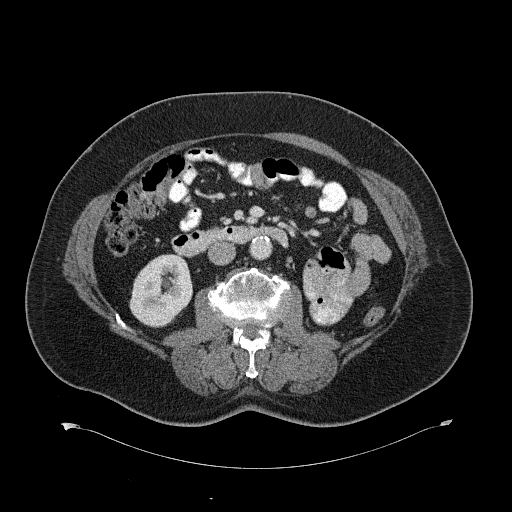
Abdominal CT with intravenous contrast, axial plane, 120 kVp, kernel B31f. Slice 340/734 from the bottom of the scan; thickness 2.00 mm; pixel size 0.971 mm.
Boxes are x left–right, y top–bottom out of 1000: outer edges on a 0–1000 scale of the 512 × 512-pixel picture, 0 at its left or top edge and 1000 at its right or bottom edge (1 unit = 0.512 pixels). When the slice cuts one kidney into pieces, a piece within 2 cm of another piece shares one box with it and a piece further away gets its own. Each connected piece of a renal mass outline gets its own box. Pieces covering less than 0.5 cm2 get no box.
Right kidney, box x 252–377, y 496–639 out of 1000 (outlined area 3,505 px, about 33.0 cm2). No renal mass outline on this slice.